Arterial-phase contrast-enhanced abdominal CT, axial slice 331 of 591 (counted from the lowest slice); tube voltage 140 kVp, convolution kernel I30f; slices 1.00 mm thick, 0.703 mm per pixel.
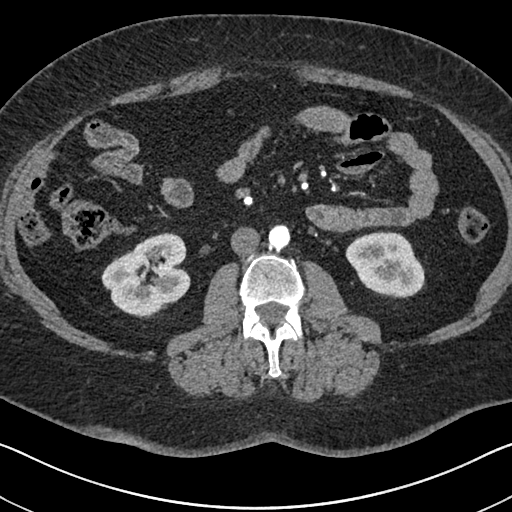
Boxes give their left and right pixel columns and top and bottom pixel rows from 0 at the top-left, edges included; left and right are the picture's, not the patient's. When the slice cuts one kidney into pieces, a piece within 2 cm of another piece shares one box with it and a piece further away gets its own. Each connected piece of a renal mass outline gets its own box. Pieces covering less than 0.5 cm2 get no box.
Two kidney boxes on this slice; by box centre, from the image's left to its right: (1) Box with left 101, top 232, right 190, bottom 318: right kidney (outlined area 5,263 px, about 26.0 cm2). (2) Left kidney, the box with left 345, top 231, right 424, bottom 298 (outlined area 3,924 px, about 19.4 cm2). No renal mass is outlined on this slice.